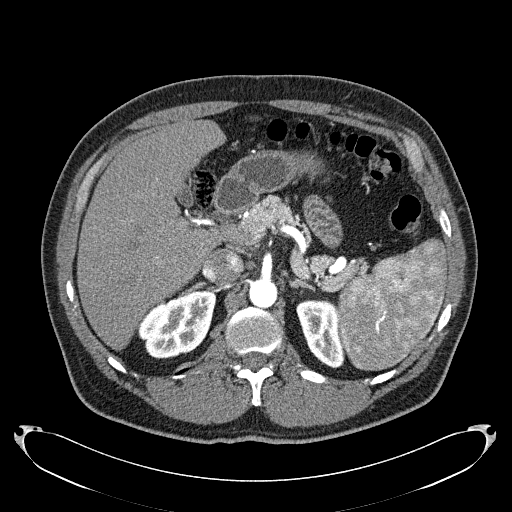
Arterial-phase contrast-enhanced abdominal CT, axial slice 156 of 279 (counted from the lowest slice); tube voltage 120 kVp, convolution kernel B31f; slices 2.00 mm thick, 0.824 mm per pixel.
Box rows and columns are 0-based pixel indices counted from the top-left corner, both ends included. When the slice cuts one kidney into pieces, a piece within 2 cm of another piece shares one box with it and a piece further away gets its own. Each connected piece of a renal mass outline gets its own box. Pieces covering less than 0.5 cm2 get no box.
Two kidney boxes on this slice; by box centre, from the image's left to its right: (1) Box rows 291–358, columns 138–216: right kidney (outlined area 3,797 px, about 25.8 cm2). (2) Box rows 299–368, columns 296–344: left kidney (outlined area 2,342 px, about 15.9 cm2). No renal mass outline on this slice.